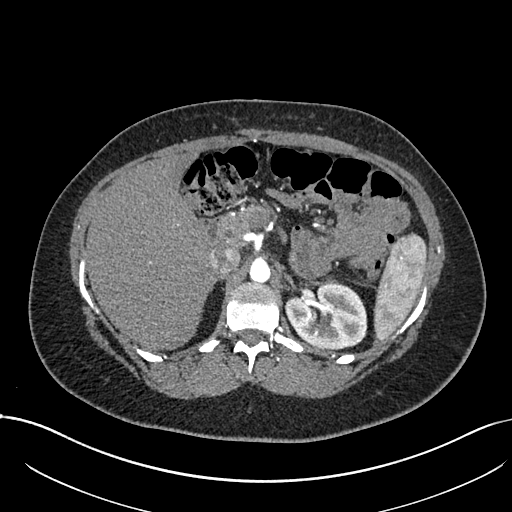
Arterial-phase contrast-enhanced abdominal CT, axial slice 501 of 738 (counted from the lowest slice); tube voltage 120 kVp, convolution kernel I30f; slices 1.00 mm thick, 0.789 mm per pixel.
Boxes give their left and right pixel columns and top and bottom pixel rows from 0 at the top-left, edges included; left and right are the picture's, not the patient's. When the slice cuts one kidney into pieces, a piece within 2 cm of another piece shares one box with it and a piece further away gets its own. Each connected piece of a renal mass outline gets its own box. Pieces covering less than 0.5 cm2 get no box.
Left kidney in the box with left 284, top 281, right 367, bottom 348 (outlined area 4,305 px, about 26.8 cm2). This slice carries no renal mass outline.